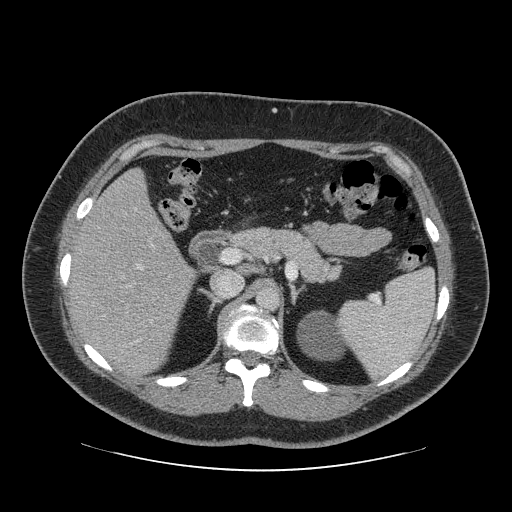
Arterial-phase contrast-enhanced abdominal CT, axial slice 58 of 69 (counted from the lowest slice); tube voltage 120 kVp, convolution kernel STANDARD; slices 2.50 mm thick, 0.846 mm per pixel.
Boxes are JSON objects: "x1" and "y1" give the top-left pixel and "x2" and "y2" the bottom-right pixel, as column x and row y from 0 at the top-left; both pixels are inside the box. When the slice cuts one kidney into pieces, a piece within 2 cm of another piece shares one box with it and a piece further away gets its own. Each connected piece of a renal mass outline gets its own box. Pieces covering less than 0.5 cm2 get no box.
Left kidney, box {"x1": 297, "y1": 310, "x2": 346, "y2": 360} (outlined area 1,891 px, about 13.5 cm2). No renal mass is outlined on this slice.